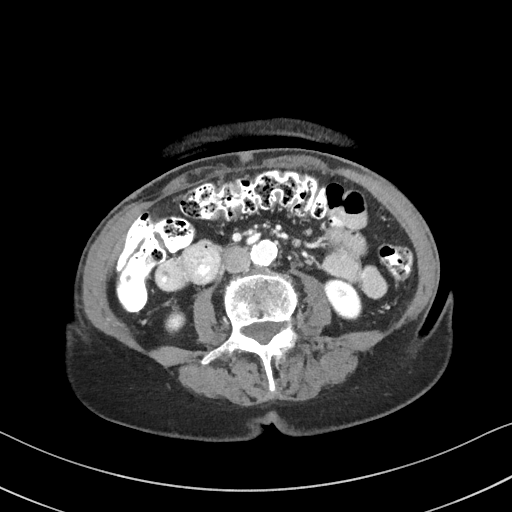
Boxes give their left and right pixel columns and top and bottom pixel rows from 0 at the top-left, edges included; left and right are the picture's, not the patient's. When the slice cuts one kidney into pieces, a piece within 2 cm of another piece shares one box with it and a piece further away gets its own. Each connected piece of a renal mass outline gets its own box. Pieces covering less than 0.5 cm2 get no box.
This is axial slice 42 of 92 (slice 1 is the lowest) of an abdominal CT with contrast; each pixel is 0.684 mm and the slice is 3.00 mm thick. Two kidney boxes on this slice; by box centre, from the image's left to its right: (1) Right kidney, the box with left 164, top 306, right 186, bottom 335 (outlined area 444 px, about 2.1 cm2). (2) Left kidney, the box with left 325, top 279, right 362, bottom 320 (outlined area 1,137 px, about 5.3 cm2). No renal mass outline on this slice.
Scan settings: 100 kVp, I41f reconstruction kernel.